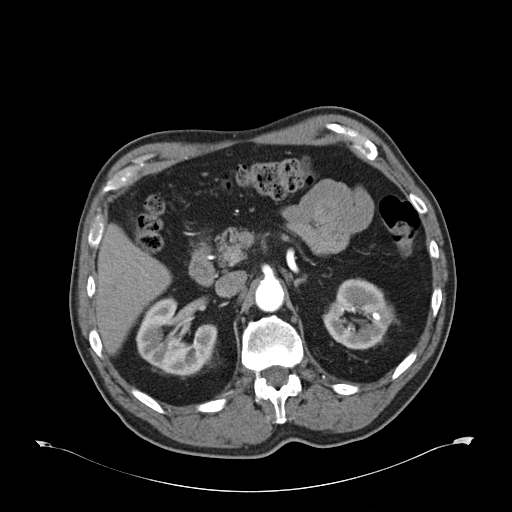
Abdominal CT with intravenous contrast, arterial phase, axial plane, 120 kVp, kernel B30f. Slice 37/59 from the bottom of the scan; thickness 5.00 mm; pixel size 0.871 mm.
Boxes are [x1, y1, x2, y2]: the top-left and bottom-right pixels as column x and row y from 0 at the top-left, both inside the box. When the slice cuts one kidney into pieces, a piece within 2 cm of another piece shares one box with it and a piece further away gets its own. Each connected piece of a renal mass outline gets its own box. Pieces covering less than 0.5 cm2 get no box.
Boxed on this slice (two kidney boxes), listed by box centre from the image's left to its right: (1) Box [135, 296, 217, 376]: right kidney (outlined area 4,377 px, about 33.2 cm2). (2) Box [322, 278, 392, 349]: left kidney (outlined area 3,523 px, about 26.7 cm2). This slice carries no renal mass outline.